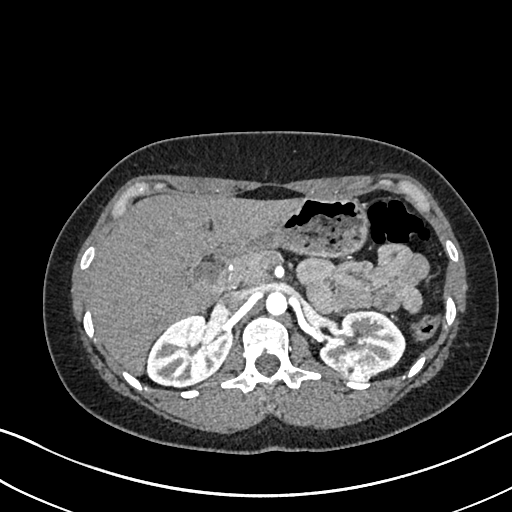
One axial slice (460 of 612, counting up from the lowest) of an arterial-phase abdominal CT acquired with 120 kVp, kernel I30f; each pixel is 0.703 mm and the slice is 1.00 mm thick.
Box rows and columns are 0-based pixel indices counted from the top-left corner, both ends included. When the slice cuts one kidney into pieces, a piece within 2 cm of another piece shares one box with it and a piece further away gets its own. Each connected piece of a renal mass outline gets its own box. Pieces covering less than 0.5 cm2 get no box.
Three boxes on this slice (two kidney boxes and one renal mass box), listed by box centre from the image's left to its right. (1) Box rows 314–387, columns 146–231: right kidney (outlined area 4,492 px, about 22.2 cm2). (2) Box rows 348–381, columns 337–374: left renal mass (outlined area 1,042 px, about 5.2 cm2). (3) Box rows 309–376, columns 319–405: left kidney (outlined area 3,427 px, about 16.9 cm2).